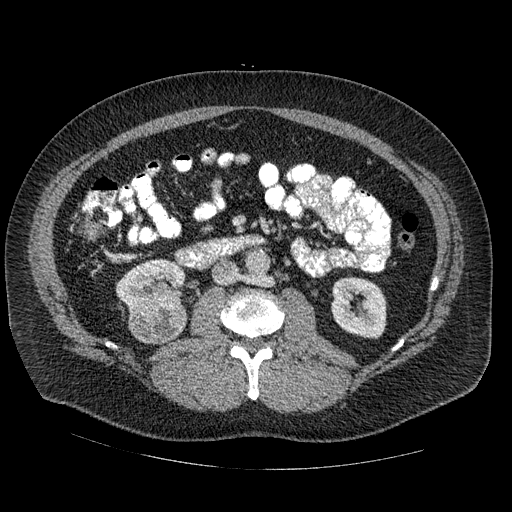
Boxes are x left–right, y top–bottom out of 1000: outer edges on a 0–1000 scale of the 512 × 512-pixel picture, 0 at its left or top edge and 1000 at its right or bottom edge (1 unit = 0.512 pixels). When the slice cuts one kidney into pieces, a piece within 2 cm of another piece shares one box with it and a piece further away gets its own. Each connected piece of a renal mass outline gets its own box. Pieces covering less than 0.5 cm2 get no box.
Arterial-phase contrast-enhanced abdominal CT, axial slice 257 of 445 (counted from the lowest slice); 1.25 mm thick, 0.863 mm per pixel. Boxed on this slice (two kidney boxes and one renal mass box), listed by box centre from the image's left to its right: (1) Box x 225–365, y 506–613 out of 1000: right kidney (outlined area 2,707 px, about 20.2 cm2). (2) Box x 250–367, y 588–674 out of 1000: right renal mass (outlined area 2,049 px, about 15.3 cm2). (3) Left kidney at x 646–756, y 539–662 out of 1000 (outlined area 2,813 px, about 21.0 cm2).
Tube voltage 120 kVp; convolution kernel STANDARD.